One axial slice (191 of 325, counting up from the lowest) of an arterial-phase abdominal CT acquired with 100 kVp, kernel I30f; each pixel is 0.703 mm and the slice is 1.00 mm thick.
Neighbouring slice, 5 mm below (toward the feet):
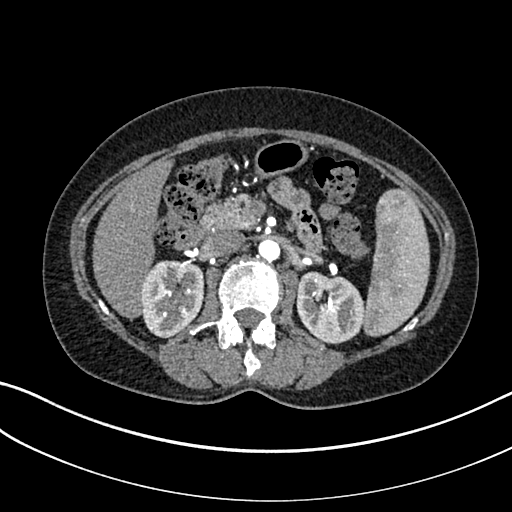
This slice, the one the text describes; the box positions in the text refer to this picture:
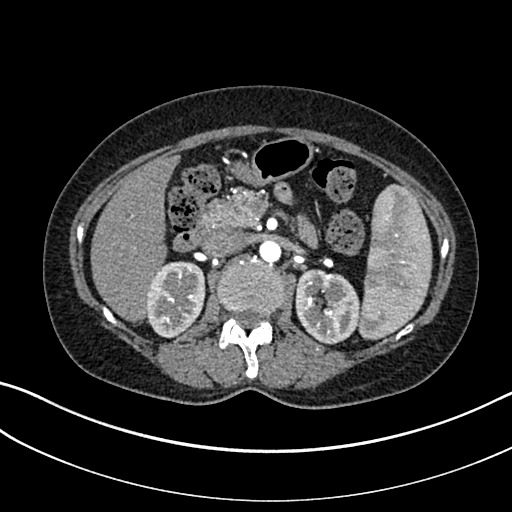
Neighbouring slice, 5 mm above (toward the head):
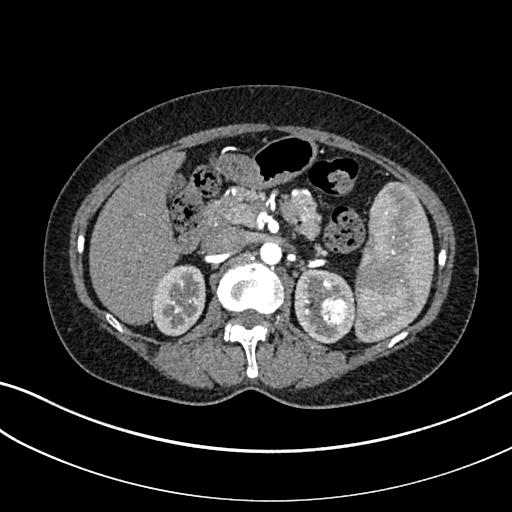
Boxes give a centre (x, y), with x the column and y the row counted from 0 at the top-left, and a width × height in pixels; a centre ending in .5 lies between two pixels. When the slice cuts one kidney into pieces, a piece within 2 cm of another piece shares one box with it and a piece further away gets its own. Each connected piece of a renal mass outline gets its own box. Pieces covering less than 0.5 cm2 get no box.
Boxed on this slice (two kidney boxes and one renal mass box), listed by box centre from the image's left to its right: (1) Box centre (175.5, 299.5), 60 × 78 pixels: right kidney (outlined area 3,659 px, about 18.1 cm2). (2) Left kidney, box centre (327.5, 306.5), 66 × 76 pixels (outlined area 3,716 px, about 18.4 cm2). (3) Left renal mass, box centre (332, 311), 13 × 13 pixels (outlined area 127 px, about 0.6 cm2). This slice lies near the end of the left renal mass toward the feet; the slices 5 mm below and 5 mm above it are shown too, and the boxes mark positions on this slice only.